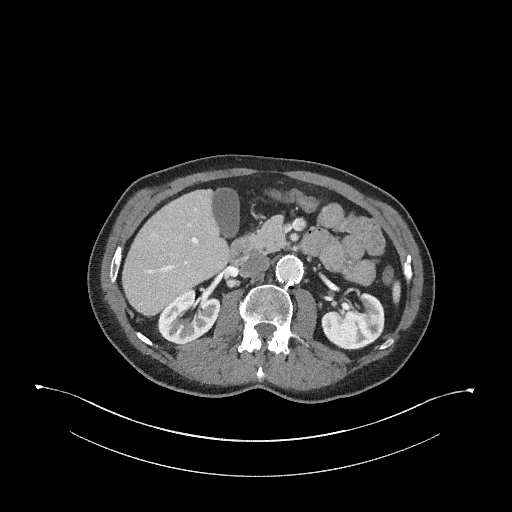
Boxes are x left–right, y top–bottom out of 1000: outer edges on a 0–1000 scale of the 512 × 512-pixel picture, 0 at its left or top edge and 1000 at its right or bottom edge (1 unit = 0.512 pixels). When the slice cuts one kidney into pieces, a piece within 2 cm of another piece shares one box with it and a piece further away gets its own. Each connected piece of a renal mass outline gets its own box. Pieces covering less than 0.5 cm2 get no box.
Arterial-phase contrast-enhanced abdominal CT, axial slice 157 of 345 (counted from the lowest slice); 2.00 mm thick, 0.977 mm per pixel. Two boxes on this slice (two kidney boxes), listed by box centre from the image's left to its right. (1) Right kidney at x 307–432, y 563–676 out of 1000 (outlined area 2,483 px, about 23.7 cm2). (2) Left kidney, box x 627–752, y 570–684 out of 1000 (outlined area 2,665 px, about 25.4 cm2). This slice carries no renal mass outline.
Scan settings: 120 kVp, I31f reconstruction kernel.